Axial slice 398 of 612 of a contrast-enhanced abdominal CT in the arterial phase (slice 1 is the lowest), 120 kVp, kernel I30f; 1.00 mm slice thickness and 0.703 mm pixels.
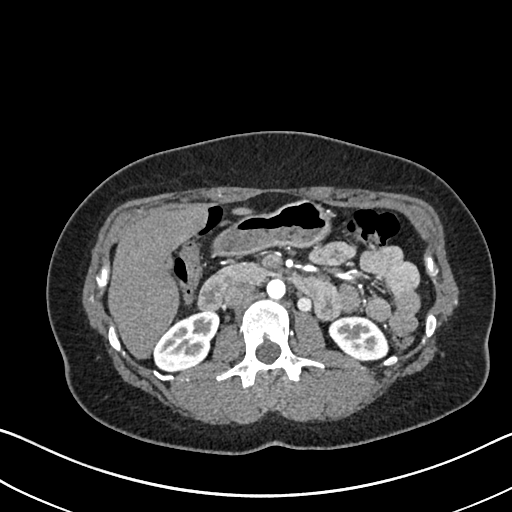
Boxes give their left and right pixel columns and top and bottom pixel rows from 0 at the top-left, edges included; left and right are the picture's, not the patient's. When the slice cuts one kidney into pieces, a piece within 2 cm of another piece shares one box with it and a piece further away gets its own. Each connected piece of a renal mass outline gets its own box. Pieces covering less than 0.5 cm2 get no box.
Two kidney boxes on this slice; by box centre, from the image's left to its right: (1) Right kidney in the box with left 153, top 310, right 219, bottom 370 (outlined area 2,711 px, about 13.4 cm2). (2) Box with left 328, top 315, right 388, bottom 361: left kidney (outlined area 2,051 px, about 10.1 cm2). No renal mass is outlined on this slice.